One axial slice (82 of 103, counting up from the lowest) of a contrast-enhanced abdominal CT acquired with 100 kVp, kernel I41f; each pixel is 0.742 mm and the slice is 4.00 mm thick.
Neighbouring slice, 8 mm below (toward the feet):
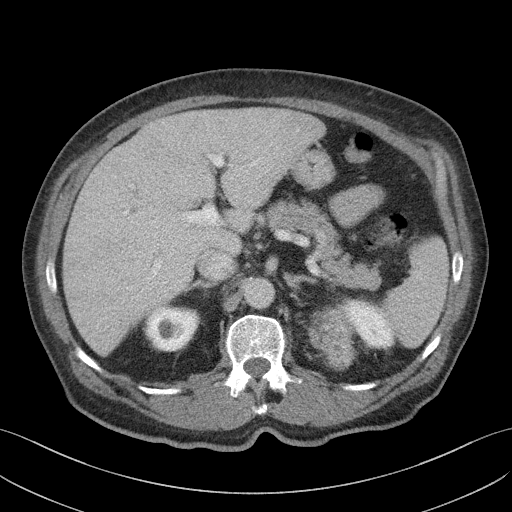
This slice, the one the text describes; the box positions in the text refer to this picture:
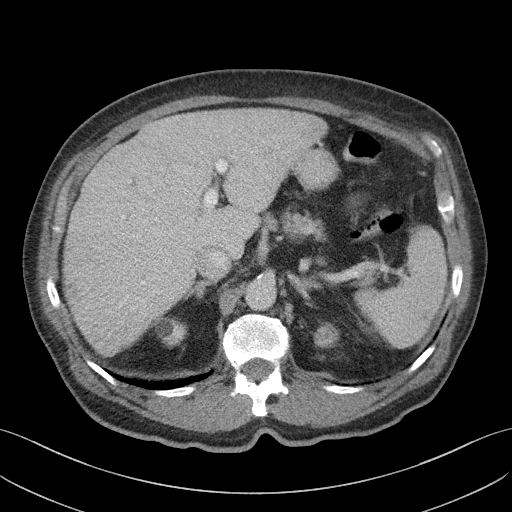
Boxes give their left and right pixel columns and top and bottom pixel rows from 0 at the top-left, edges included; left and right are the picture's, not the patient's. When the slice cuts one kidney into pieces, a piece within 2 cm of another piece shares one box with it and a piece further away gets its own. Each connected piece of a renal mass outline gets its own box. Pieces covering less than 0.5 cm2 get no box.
Boxed on this slice (one kidney box and one renal mass box), listed by box centre from the image's left to its right: (1) Right kidney, the box with left 154, top 318, right 185, bottom 348 (outlined area 698 px, about 3.8 cm2). (2) Left renal mass in the box with left 313, top 322, right 339, bottom 348 (outlined area 546 px, about 3.0 cm2); here it is more than 1 cm from any kidney outline, though on another slice the same outlined renal mass lies within 1 cm of the kidney. This slice is near the end of the left renal mass toward the head, so the slice 8 mm below it is shown as well; the boxes refer to this slice only.